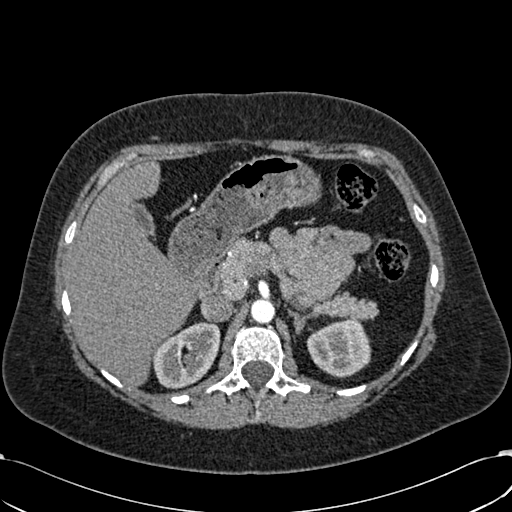
One axial slice (425 of 532, counting up from the lowest) of an arterial-phase abdominal CT acquired with 120 kVp, kernel B30f; each pixel is 0.713 mm and the slice is 1.00 mm thick.
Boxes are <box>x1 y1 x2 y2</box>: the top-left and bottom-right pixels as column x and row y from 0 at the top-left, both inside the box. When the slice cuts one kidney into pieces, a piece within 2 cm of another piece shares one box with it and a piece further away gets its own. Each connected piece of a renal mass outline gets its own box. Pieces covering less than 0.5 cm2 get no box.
Two kidney boxes on this slice; by box centre, from the image's left to its right: (1) Right kidney at <box>152 322 220 389</box> (outlined area 3,241 px, about 16.5 cm2). (2) Left kidney: <box>306 319 371 377</box> (outlined area 2,848 px, about 14.5 cm2). This slice carries no renal mass outline.